Arterial-phase contrast-enhanced abdominal CT, axial slice 459 of 626 (counted from the lowest slice); tube voltage 120 kVp, convolution kernel I30f; slices 1.00 mm thick, 0.703 mm per pixel.
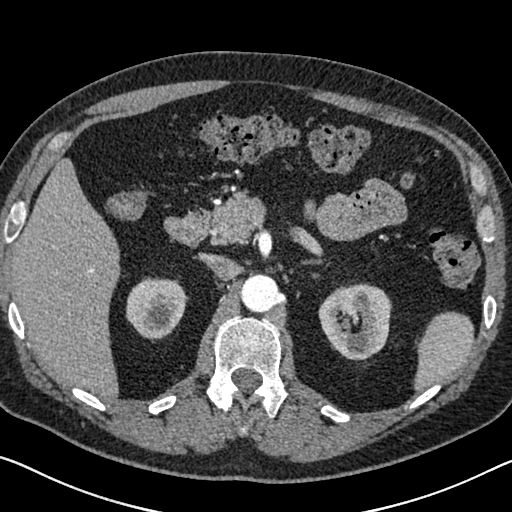
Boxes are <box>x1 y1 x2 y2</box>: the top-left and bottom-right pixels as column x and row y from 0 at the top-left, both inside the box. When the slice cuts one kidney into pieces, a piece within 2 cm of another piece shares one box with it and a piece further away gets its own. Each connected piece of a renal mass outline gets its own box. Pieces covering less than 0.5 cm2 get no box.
Boxed on this slice (two kidney boxes), listed by box centre from the image's left to its right: (1) At <box>125 277 185 339</box>: right kidney (outlined area 2,923 px, about 14.5 cm2). (2) Left kidney: <box>318 283 391 360</box> (outlined area 4,306 px, about 21.3 cm2). No renal mass outline on this slice.